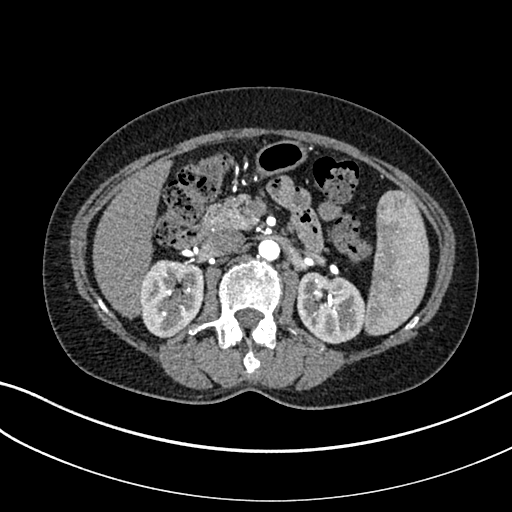
One axial slice (179 of 325, counting up from the lowest) of an arterial-phase abdominal CT acquired with 100 kVp, kernel I30f; each pixel is 0.703 mm and the slice is 1.00 mm thick.
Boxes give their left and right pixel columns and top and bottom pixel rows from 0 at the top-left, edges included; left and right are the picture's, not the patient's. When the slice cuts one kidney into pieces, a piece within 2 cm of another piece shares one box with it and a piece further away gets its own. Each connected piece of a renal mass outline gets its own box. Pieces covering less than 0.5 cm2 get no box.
Boxed on this slice (two kidney boxes), listed by box centre from the image's left to its right: (1) Box with left 140, top 259, right 204, bottom 338: right kidney (outlined area 3,998 px, about 19.8 cm2). (2) Left kidney in the box with left 296, top 272, right 366, bottom 344 (outlined area 3,886 px, about 19.2 cm2). No renal mass outline on this slice.